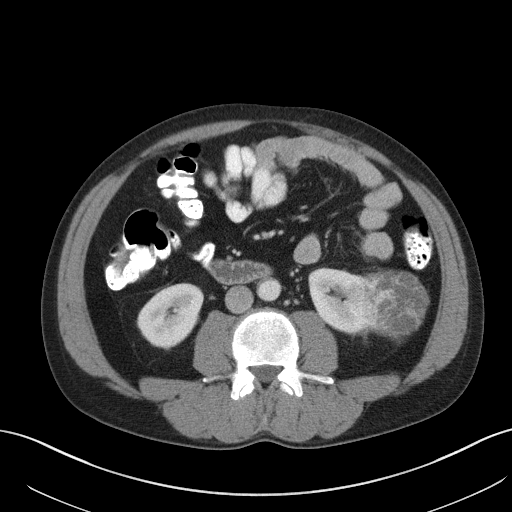
Axial slice 51 of 131 of a contrast-enhanced abdominal CT in the arterial phase (slice 1 is the lowest), 120 kVp, kernel B41f; 5.00 mm slice thickness and 0.760 mm pixels.
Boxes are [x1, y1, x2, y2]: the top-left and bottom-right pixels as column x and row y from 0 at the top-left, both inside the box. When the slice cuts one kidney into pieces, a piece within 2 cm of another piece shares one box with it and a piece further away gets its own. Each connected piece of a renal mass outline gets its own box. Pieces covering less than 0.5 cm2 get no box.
Two kidney boxes and one renal mass box on this slice; by box centre, from the image's left to its right: (1) Right kidney, box [137, 283, 203, 348] (outlined area 3,088 px, about 17.8 cm2). (2) Left kidney, box [308, 268, 375, 334] (outlined area 3,112 px, about 18.0 cm2). (3) Box [363, 272, 427, 336]: left renal mass (outlined area 3,363 px, about 19.4 cm2).